Abdominal CT with intravenous contrast, axial plane, 120 kVp, kernel B41f. Slice 90/146 from the bottom of the scan; thickness 5.00 mm; pixel size 0.840 mm.
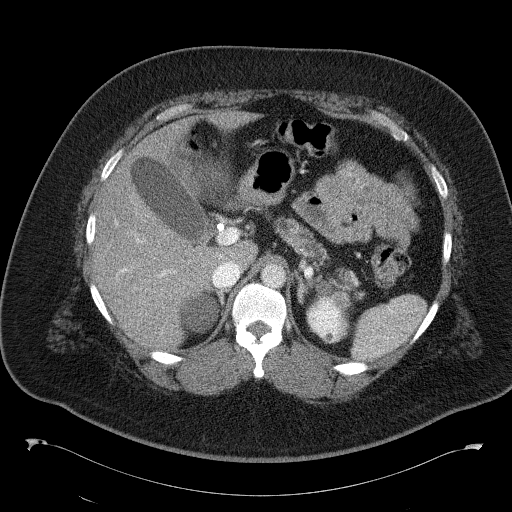
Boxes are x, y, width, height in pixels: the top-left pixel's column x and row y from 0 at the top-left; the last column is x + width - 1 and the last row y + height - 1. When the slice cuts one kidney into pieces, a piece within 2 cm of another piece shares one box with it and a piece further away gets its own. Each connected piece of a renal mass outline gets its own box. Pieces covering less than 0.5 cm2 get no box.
Boxed on this slice (two kidney boxes), listed by box centre from the image's left to its right: (1) Kidney, box x 180, y 293, width 41, height 41 (outlined area 1,251 px, about 8.8 cm2). (2) Box x 306, y 280, width 46, height 64: kidney (outlined area 2,030 px, about 14.3 cm2). This slice carries no renal mass outline.